Abdominal CT with intravenous contrast, arterial phase, axial plane, 100 kVp, kernel I30f. Slice 140/302 from the bottom of the scan; thickness 5.00 mm; pixel size 0.875 mm.
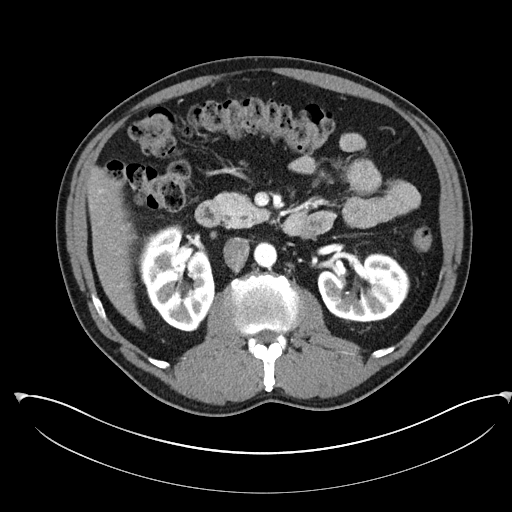
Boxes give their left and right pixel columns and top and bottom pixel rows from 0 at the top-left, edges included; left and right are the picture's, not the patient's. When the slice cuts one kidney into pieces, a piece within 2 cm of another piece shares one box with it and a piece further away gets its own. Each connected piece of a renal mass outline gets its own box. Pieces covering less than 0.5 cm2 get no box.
Two kidney boxes on this slice; by box centre, from the image's left to its right: (1) Right kidney, the box with left 142, top 227, right 214, bottom 331 (outlined area 5,590 px, about 42.8 cm2). (2) Box with left 317, top 253, right 409, bottom 322: left kidney (outlined area 4,812 px, about 36.8 cm2). This slice carries no renal mass outline.